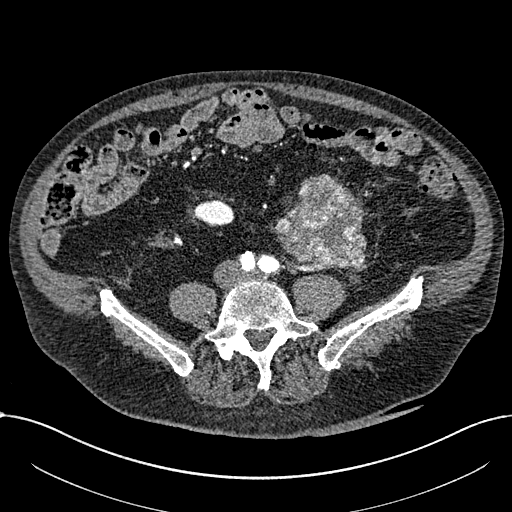
Arterial-phase contrast-enhanced abdominal CT, axial slice 204 of 1059 (counted from the lowest slice); tube voltage 100 kVp, convolution kernel I30f; slices 1.00 mm thick, 0.811 mm per pixel.
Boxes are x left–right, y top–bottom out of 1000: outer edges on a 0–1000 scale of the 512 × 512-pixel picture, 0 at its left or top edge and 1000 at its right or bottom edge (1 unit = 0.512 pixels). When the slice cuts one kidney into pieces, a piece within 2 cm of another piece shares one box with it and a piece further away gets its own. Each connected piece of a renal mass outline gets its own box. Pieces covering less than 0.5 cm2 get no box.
Two boxes on this slice (one kidney box and one renal mass box), listed by box centre from the image's left to its right. (1) Right part of the midline-crossing kidney at x 377–459, y 391–443 out of 1000 (outlined area 836 px, about 5.5 cm2). (2) Renal mass, box x 535–717, y 340–531 out of 1000 (outlined area 6,450 px, about 42.4 cm2); on this slice it lies more than 1 cm from any kidney outline, but the same outlined renal mass comes within 1 cm of the kidney on another slice.